Arterial-phase contrast-enhanced abdominal CT, axial slice 307 of 591 (counted from the lowest slice); tube voltage 140 kVp, convolution kernel I30f; slices 1.00 mm thick, 0.703 mm per pixel.
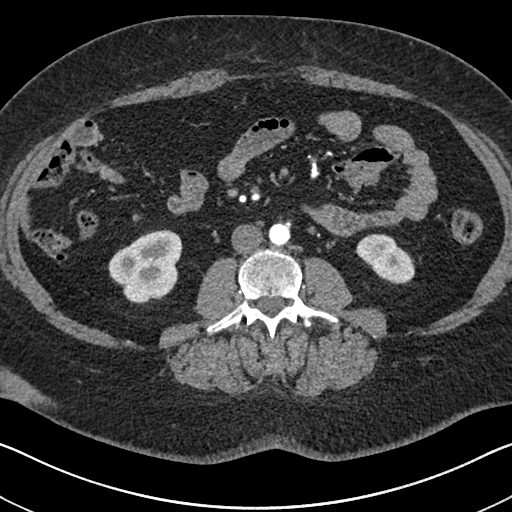
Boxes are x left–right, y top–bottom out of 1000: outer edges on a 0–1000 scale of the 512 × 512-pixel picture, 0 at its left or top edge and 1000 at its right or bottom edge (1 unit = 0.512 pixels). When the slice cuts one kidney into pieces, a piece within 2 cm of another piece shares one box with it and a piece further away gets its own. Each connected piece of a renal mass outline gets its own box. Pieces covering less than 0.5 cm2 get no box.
Two kidney boxes on this slice; by box centre, from the image's left to its right: (1) Right kidney at x 211–357, y 447–596 out of 1000 (outlined area 3,950 px, about 19.5 cm2). (2) Left kidney at x 693–811, y 457–557 out of 1000 (outlined area 1,992 px, about 9.8 cm2). No renal mass is outlined on this slice.